One axial slice (395 of 683, counting up from the lowest) of an arterial-phase abdominal CT acquired with 120 kVp, kernel I30f; each pixel is 0.738 mm and the slice is 1.00 mm thick.
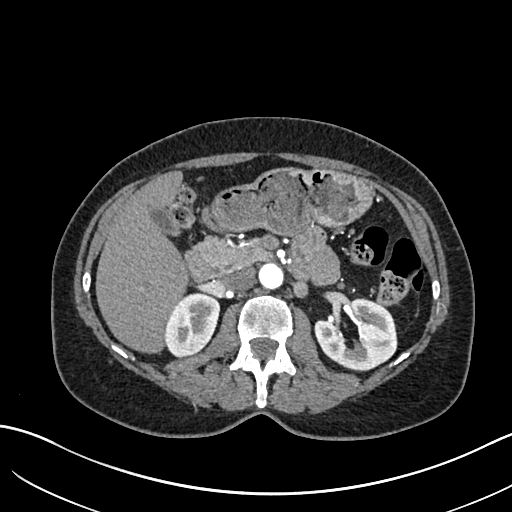
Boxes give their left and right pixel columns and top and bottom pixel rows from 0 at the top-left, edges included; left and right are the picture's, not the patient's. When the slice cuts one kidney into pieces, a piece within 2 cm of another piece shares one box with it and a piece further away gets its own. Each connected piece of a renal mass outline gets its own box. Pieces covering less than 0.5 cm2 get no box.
Two boxes on this slice (two kidney boxes), listed by box centre from the image's left to its right. (1) Right kidney, the box with left 164, top 292, right 220, bottom 357 (outlined area 2,698 px, about 14.7 cm2). (2) Left kidney in the box with left 315, top 297, right 397, bottom 369 (outlined area 4,075 px, about 22.2 cm2). No renal mass outline on this slice.